One axial slice (634 of 834, counting up from the lowest) of a contrast-enhanced abdominal CT acquired with 140 kVp, kernel I30f; each pixel is 0.977 mm and the slice is 1.00 mm thick.
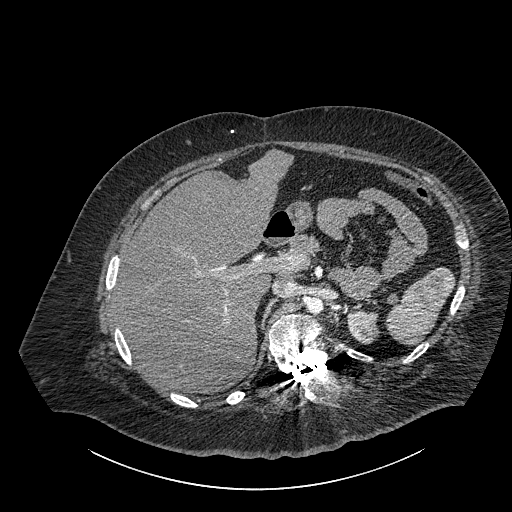
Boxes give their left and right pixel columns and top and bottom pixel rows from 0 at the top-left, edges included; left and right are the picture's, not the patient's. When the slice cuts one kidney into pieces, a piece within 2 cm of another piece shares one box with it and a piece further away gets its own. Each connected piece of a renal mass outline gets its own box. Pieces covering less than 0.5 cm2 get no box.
Box with left 346, top 309, right 379, bottom 344: left part of the midline-crossing kidney (outlined area 913 px, about 8.7 cm2). This slice carries no renal mass outline.